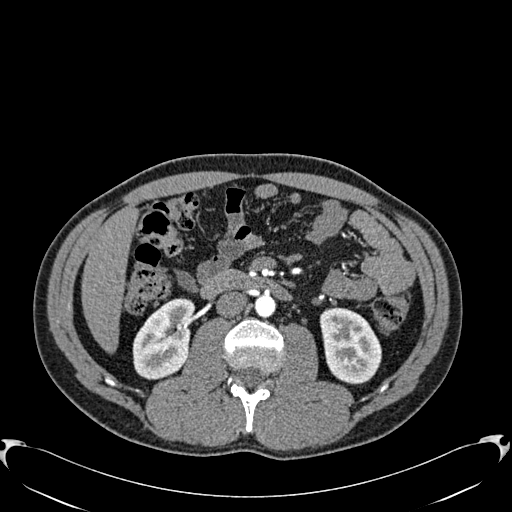
One axial slice (317 of 512, counting up from the lowest) of an arterial-phase abdominal CT acquired with 120 kVp, kernel B30f; each pixel is 0.771 mm and the slice is 1.00 mm thick.
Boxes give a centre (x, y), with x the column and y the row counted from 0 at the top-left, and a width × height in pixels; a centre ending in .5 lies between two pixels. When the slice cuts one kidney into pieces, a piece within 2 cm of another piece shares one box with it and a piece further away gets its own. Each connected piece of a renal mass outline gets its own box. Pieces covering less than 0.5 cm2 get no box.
Two boxes on this slice (two kidney boxes), listed by box centre from the image's left to its right. (1) Right kidney in a box with centre (163, 338.5), 63 × 82 pixels (outlined area 3,682 px, about 21.9 cm2). (2) Left kidney in a box with centre (350, 345), 63 × 79 pixels (outlined area 3,661 px, about 21.8 cm2). This slice carries no renal mass outline.